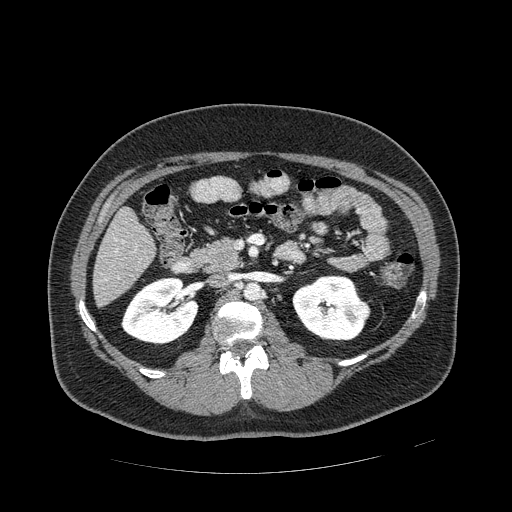
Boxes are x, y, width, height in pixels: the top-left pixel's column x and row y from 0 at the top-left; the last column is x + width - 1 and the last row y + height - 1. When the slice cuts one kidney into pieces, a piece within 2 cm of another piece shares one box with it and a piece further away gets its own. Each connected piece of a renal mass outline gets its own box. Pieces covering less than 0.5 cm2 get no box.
This is axial slice 260 of 389 (slice 1 is the lowest) of an arterial-phase abdominal CT with contrast; each pixel is 0.869 mm and the slice is 1.25 mm thick. Three boxes on this slice (two kidney boxes and one renal mass box), listed by box centre from the image's left to its right. (1) Right kidney, box x 121, y 277, width 78, height 69 (outlined area 3,851 px, about 29.1 cm2). (2) Left kidney, box x 292, y 275, width 74, height 66 (outlined area 3,541 px, about 26.7 cm2). (3) Left renal mass, box x 352, y 301, width 19, height 20 (outlined area 307 px, about 2.3 cm2).
Tube voltage 120 kVp; convolution kernel STANDARD.